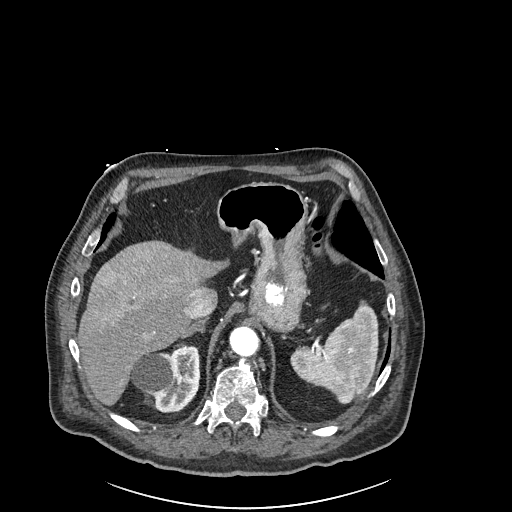
One axial slice (189 of 261, counting up from the lowest) of an arterial-phase abdominal CT acquired with 120 kVp, kernel I30f; each pixel is 0.939 mm and the slice is 2.00 mm thick.
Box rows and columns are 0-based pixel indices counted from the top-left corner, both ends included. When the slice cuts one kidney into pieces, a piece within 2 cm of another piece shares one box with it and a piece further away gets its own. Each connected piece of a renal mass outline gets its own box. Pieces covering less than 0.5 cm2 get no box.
Right kidney, box rows 345–412, columns 130–200 (outlined area 3,393 px, about 29.9 cm2). No renal mass is outlined on this slice.